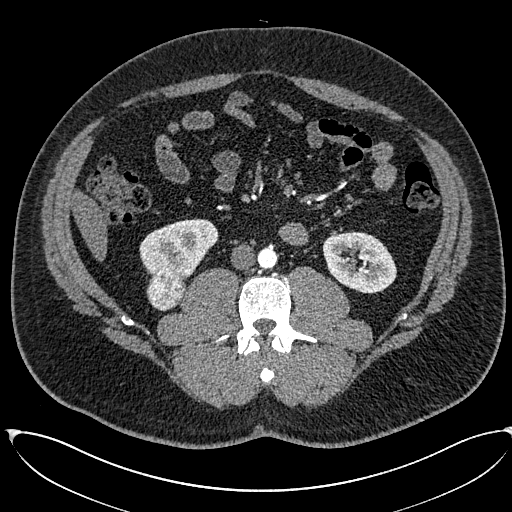
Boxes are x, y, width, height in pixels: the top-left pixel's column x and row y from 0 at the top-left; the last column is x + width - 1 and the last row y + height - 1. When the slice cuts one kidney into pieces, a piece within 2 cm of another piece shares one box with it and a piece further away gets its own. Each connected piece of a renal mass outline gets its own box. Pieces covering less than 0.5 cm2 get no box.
Arterial-phase contrast-enhanced abdominal CT, axial slice 274 of 673 (counted from the lowest slice); 1.00 mm thick, 0.855 mm per pixel. Boxed on this slice (two kidney boxes and one renal mass box), listed by box centre from the image's left to its right: (1) Right renal mass at x 146, y 270, width 40, height 42 (outlined area 1,271 px, about 9.3 cm2). (2) Box x 139, y 218, width 80, height 62: right kidney (outlined area 3,302 px, about 24.2 cm2). (3) Left kidney, box x 322, y 231, width 75, height 63 (outlined area 3,475 px, about 25.4 cm2).
Scan settings: 120 kVp, I30f reconstruction kernel.